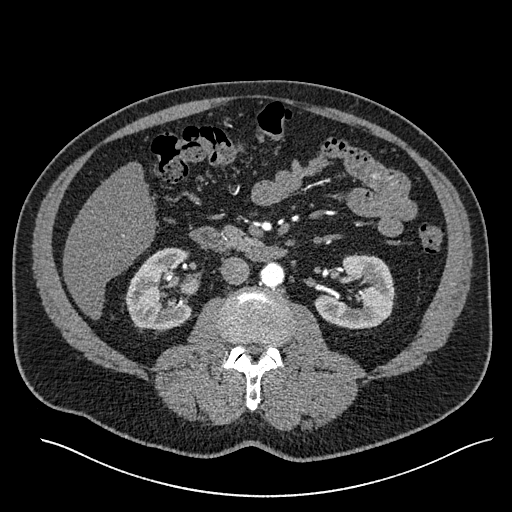
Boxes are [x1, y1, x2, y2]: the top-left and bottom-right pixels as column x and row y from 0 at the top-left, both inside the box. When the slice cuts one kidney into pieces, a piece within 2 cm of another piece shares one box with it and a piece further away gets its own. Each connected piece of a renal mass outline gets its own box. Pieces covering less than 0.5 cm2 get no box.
Arterial-phase contrast-enhanced abdominal CT, axial slice 301 of 527 (counted from the lowest slice); 1.00 mm thick, 0.859 mm per pixel. Boxed on this slice (two kidney boxes), listed by box centre from the image's left to its right: (1) Box [125, 247, 192, 334]: right kidney (outlined area 4,193 px, about 31.0 cm2). (2) Left kidney at [315, 254, 395, 328] (outlined area 4,127 px, about 30.5 cm2). This slice carries no renal mass outline.
Acquired at 120 kVp and reconstructed with the I30f kernel.